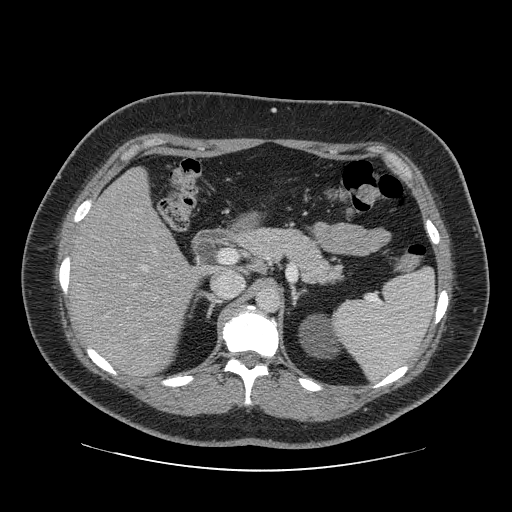
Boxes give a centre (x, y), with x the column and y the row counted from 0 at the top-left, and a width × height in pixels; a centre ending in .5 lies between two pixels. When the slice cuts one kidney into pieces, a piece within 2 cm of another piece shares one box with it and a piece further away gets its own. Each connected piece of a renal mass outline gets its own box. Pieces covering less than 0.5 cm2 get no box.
Slice 59/69 of a contrast-enhanced abdominal CT in the arterial phase, counting up from the lowest; pixel size 0.846 mm, slice thickness 2.50 mm. Left kidney in a box with centre (319.5, 336), 44 × 45 pixels (outlined area 1,376 px, about 9.8 cm2). This slice carries no renal mass outline.
Tube voltage 120 kVp; convolution kernel STANDARD.